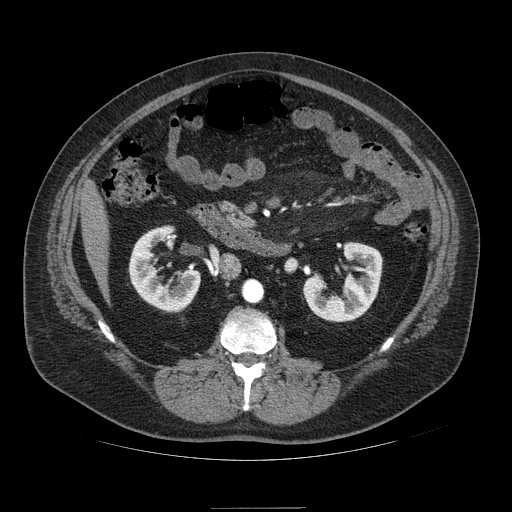
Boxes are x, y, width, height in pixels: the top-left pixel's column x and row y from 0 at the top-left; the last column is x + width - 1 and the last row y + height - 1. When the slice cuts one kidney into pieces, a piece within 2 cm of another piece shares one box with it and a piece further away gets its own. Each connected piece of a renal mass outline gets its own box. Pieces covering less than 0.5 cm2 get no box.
Slice 48/121 of a contrast-enhanced abdominal CT in the arterial phase, counting up from the lowest; pixel size 0.861 mm, slice thickness 2.50 mm. Boxed on this slice (two kidney boxes), listed by box centre from the image's left to its right: (1) Right kidney, box x 128, y 225, width 72, height 88 (outlined area 3,444 px, about 25.6 cm2). (2) Left kidney at x 303, y 242, width 80, height 80 (outlined area 3,691 px, about 27.4 cm2).
Acquired at 120 kVp and reconstructed with the STANDARD kernel.